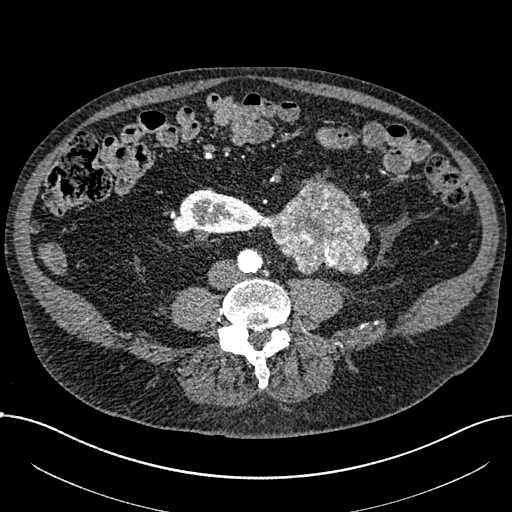
One axial slice (238 of 1059, counting up from the lowest) of an arterial-phase abdominal CT acquired with 100 kVp, kernel I30f; each pixel is 0.811 mm and the slice is 1.00 mm thick.
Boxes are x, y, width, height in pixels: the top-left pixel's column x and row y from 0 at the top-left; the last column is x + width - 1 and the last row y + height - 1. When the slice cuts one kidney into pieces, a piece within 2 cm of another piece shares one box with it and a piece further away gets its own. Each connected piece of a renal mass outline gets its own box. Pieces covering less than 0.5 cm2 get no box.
Boxed on this slice (one kidney box and one renal mass box), listed by box centre from the image's left to its right: (1) Right part of the midline-crossing kidney, box x 172, y 190, width 96, height 45 (outlined area 3,007 px, about 19.8 cm2). (2) Renal mass at x 263, y 174, width 108, height 101 (outlined area 6,916 px, about 45.4 cm2).